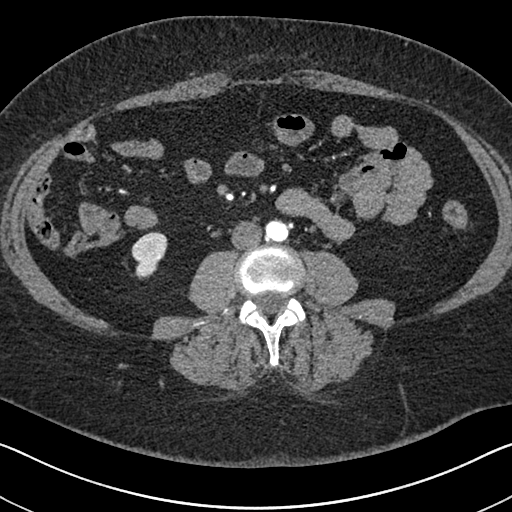
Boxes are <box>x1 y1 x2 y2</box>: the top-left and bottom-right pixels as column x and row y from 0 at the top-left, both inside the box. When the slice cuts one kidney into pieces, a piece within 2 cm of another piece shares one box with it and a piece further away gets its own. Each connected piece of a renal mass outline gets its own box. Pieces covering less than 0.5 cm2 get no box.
Slice 279/591 of a contrast-enhanced abdominal CT in the arterial phase, counting up from the lowest; pixel size 0.703 mm, slice thickness 1.00 mm. Right kidney at <box>131 232 167 279</box> (outlined area 1,218 px, about 6.0 cm2). No renal mass is outlined on this slice.
Scan settings: 140 kVp, I30f reconstruction kernel.